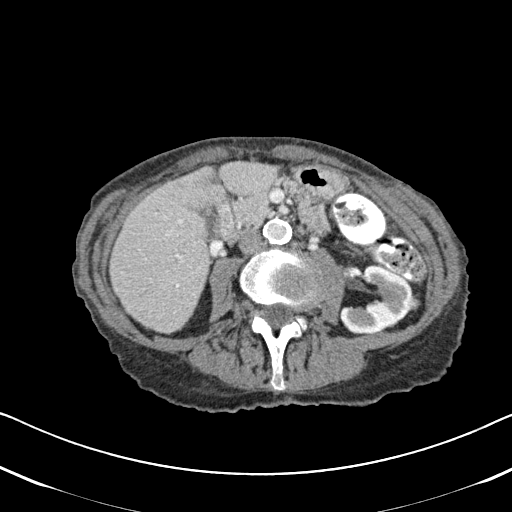
Arterial-phase contrast-enhanced abdominal CT, axial slice 277 of 620 (counted from the lowest slice); tube voltage 120 kVp, convolution kernel B31f; slices 2.00 mm thick, 0.637 mm per pixel.
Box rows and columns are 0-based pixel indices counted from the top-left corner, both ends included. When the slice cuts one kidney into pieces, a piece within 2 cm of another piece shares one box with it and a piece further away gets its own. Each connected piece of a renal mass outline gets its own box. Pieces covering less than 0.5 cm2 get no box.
Left kidney, box rows 264–334, columns 339–418 (outlined area 3,318 px, about 13.5 cm2).